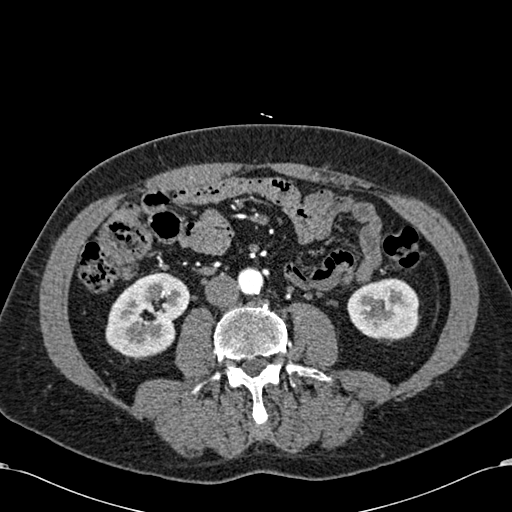
Abdominal CT with intravenous contrast, arterial phase, axial plane, 120 kVp, kernel B30f. Slice 259/581 from the bottom of the scan; thickness 1.00 mm; pixel size 0.713 mm.
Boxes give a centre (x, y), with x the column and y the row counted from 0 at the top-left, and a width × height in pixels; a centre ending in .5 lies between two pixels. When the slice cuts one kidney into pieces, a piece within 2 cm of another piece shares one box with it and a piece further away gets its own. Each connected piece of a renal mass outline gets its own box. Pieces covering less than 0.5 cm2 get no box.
Two kidney boxes on this slice; by box centre, from the image's left to its right: (1) Box centre (147.5, 314.5), 86 × 86 pixels: right kidney (outlined area 5,169 px, about 26.3 cm2). (2) Left kidney in a box with centre (383.5, 308.5), 74 × 62 pixels (outlined area 3,618 px, about 18.4 cm2). This slice carries no renal mass outline.